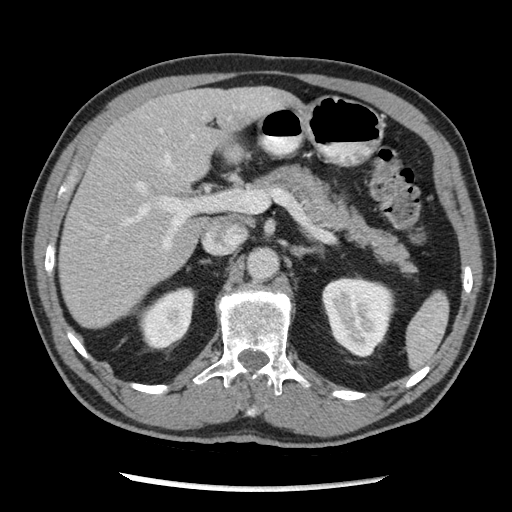
One axial slice (138 of 262, counting up from the lowest) of an arterial-phase abdominal CT acquired with 120 kVp, kernel STANDARD; each pixel is 0.703 mm and the slice is 2.50 mm thick.
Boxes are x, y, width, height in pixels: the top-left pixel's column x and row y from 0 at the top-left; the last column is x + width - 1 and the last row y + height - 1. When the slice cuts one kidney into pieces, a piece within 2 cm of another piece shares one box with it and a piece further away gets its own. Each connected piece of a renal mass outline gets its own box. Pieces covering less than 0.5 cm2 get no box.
Two kidney boxes on this slice; by box centre, from the image's left to its right: (1) Box x 138, y 287, width 58, height 64: right kidney (outlined area 2,580 px, about 12.8 cm2). (2) Left kidney, box x 321, y 276, width 75, height 82 (outlined area 4,504 px, about 22.3 cm2). No renal mass outline on this slice.